Contrast-enhanced abdominal CT, axial slice 57 of 98 (counted from the lowest slice); tube voltage 120 kVp, convolution kernel B41f; slices 5.00 mm thick, 0.965 mm per pixel.
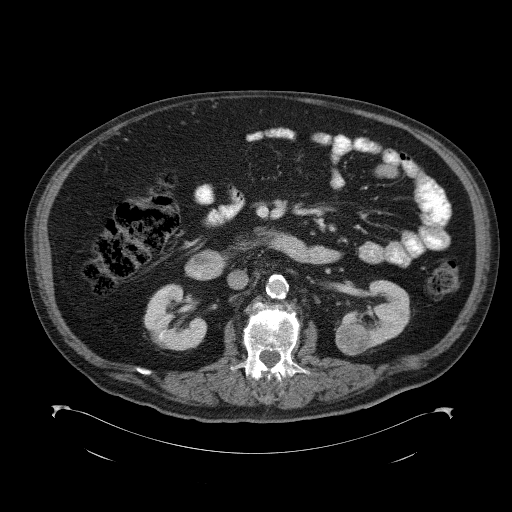
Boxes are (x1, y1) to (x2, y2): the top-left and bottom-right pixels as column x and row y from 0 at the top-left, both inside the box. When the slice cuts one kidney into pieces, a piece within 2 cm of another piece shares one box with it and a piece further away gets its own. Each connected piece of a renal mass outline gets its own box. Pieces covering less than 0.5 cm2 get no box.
Three boxes on this slice (two kidney boxes and one renal mass box), listed by box centre from the image's left to its right. (1) Right kidney, box (143, 283) to (207, 350) (outlined area 2,951 px, about 27.5 cm2). (2) Left renal mass, box (335, 323) to (368, 355) (outlined area 912 px, about 8.5 cm2). (3) Left kidney from (341, 280) to (410, 349) (outlined area 2,577 px, about 24.0 cm2).